One axial slice (41 of 86, counting up from the lowest) of an arterial-phase abdominal CT acquired with 120 kVp, kernel I40f; each pixel is 0.977 mm and the slice is 5.00 mm thick.
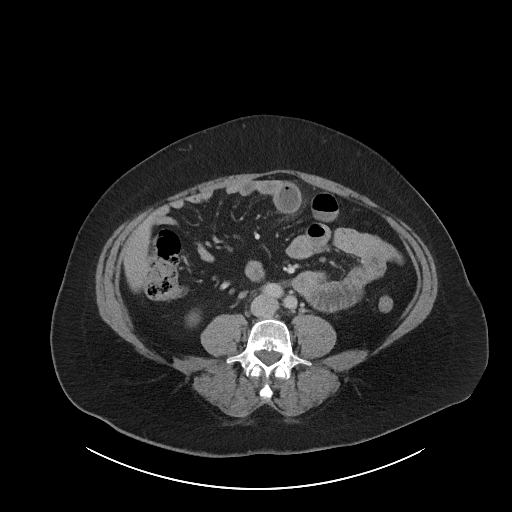
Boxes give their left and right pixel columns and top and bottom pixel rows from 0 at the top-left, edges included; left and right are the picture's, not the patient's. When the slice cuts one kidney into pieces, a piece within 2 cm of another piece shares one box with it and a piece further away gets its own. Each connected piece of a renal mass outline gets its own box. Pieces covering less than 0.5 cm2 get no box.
Box with left 187, top 312, right 199, bottom 326: right kidney (outlined area 140 px, about 1.3 cm2). No renal mass is outlined on this slice.